Abdominal CT with intravenous contrast, arterial phase, axial plane, 100 kVp, kernel I26f. Slice 498/665 from the bottom of the scan; thickness 1.00 mm; pixel size 0.828 mm.
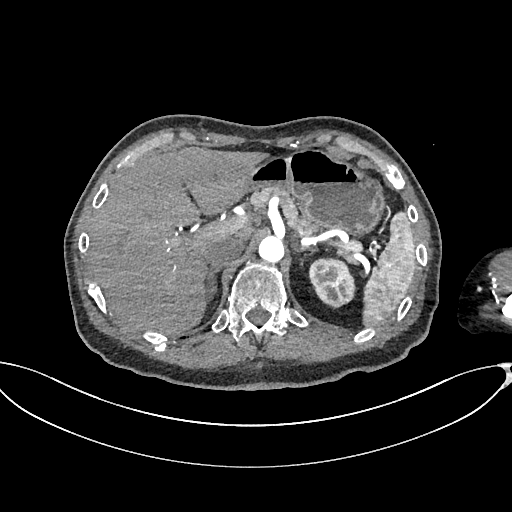
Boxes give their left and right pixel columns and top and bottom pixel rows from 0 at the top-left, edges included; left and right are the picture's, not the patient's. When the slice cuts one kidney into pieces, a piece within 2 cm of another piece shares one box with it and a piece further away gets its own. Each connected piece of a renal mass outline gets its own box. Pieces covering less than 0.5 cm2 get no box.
Left kidney in the box with left 308, top 257, right 356, bottom 308 (outlined area 1,841 px, about 12.6 cm2). No renal mass outline on this slice.